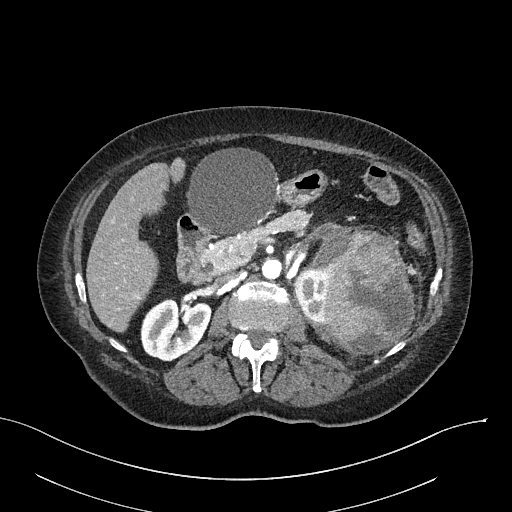
Axial slice 150 of 316 of a contrast-enhanced abdominal CT in the arterial phase (slice 1 is the lowest), 100 kVp, kernel I40f; 2.00 mm slice thickness and 0.840 mm pixels.
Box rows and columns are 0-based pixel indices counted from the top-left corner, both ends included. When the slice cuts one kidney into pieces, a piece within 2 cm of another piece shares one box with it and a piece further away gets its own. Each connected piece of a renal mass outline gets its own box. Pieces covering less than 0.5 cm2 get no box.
Two kidney boxes and one renal mass box on this slice; by box centre, from the image's left to its right: (1) Right kidney, box rows 298–361, columns 140–211 (outlined area 3,378 px, about 23.8 cm2). (2) Left kidney at rows 269–322, columns 294–327 (outlined area 1,390 px, about 9.8 cm2). (3) Left renal mass at rows 222–354, columns 304–415 (outlined area 10,314 px, about 72.7 cm2).